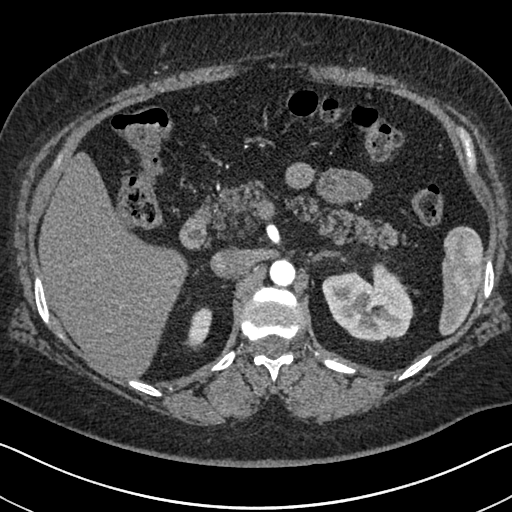
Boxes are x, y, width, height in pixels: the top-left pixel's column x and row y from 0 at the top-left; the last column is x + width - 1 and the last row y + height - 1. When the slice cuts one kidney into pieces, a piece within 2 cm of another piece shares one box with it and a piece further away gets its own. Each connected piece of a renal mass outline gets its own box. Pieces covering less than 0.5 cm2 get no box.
This is axial slice 466 of 591 (slice 1 is the lowest) of an arterial-phase abdominal CT with contrast; each pixel is 0.703 mm and the slice is 1.00 mm thick. Two boxes on this slice (two kidney boxes), listed by box centre from the image's left to its right. (1) Right kidney at x 184, y 307, width 29, height 44 (outlined area 771 px, about 3.8 cm2). (2) Left kidney, box x 322, y 262, width 92, height 81 (outlined area 5,136 px, about 25.4 cm2). No renal mass is outlined on this slice.
Scan settings: 140 kVp, I30f reconstruction kernel.